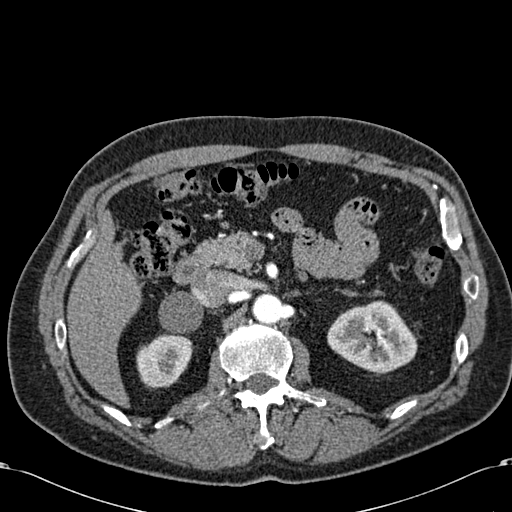
Arterial-phase contrast-enhanced abdominal CT, axial slice 399 of 581 (counted from the lowest slice); tube voltage 120 kVp, convolution kernel B30f; slices 1.00 mm thick, 0.713 mm per pixel.
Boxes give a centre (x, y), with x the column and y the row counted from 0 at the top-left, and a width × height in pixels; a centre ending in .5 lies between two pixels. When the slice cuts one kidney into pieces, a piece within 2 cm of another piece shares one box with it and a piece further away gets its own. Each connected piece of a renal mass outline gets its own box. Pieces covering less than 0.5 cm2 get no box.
Two kidney boxes on this slice; by box centre, from the image's left to its right: (1) Right kidney, box centre (164, 360.5), 57 × 56 pixels (outlined area 2,362 px, about 12.0 cm2). (2) Left kidney, box centre (372, 336.5), 91 × 74 pixels (outlined area 4,714 px, about 24.0 cm2). No renal mass is outlined on this slice.